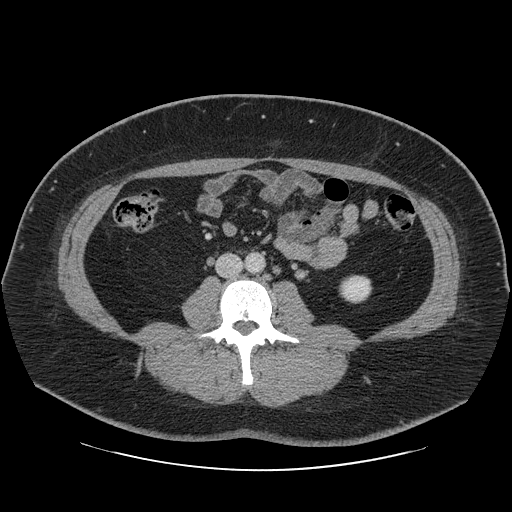
Abdominal CT with intravenous contrast, arterial phase, axial plane, 120 kVp, kernel STANDARD. Slice 10/69 from the bottom of the scan; thickness 2.50 mm; pixel size 0.846 mm.
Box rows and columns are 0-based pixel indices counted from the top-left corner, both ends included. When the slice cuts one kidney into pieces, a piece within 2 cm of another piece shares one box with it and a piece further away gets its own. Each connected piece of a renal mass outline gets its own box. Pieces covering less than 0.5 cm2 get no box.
Left kidney at rows 275–303, columns 339–372 (outlined area 774 px, about 5.5 cm2). No renal mass is outlined on this slice.